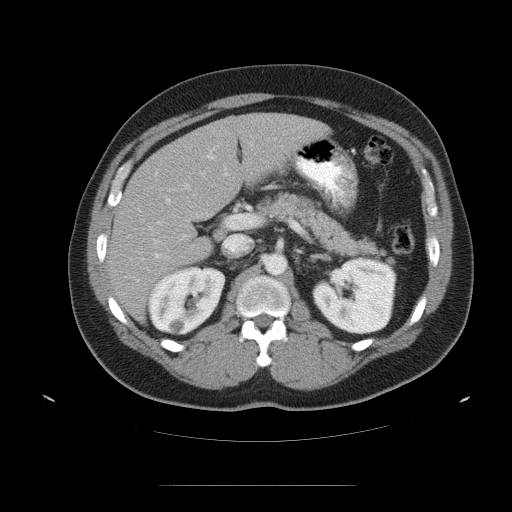
Axial slice 73 of 99 of a contrast-enhanced abdominal CT (slice 1 is the lowest), 120 kVp, kernel STANDARD; 5.00 mm slice thickness and 0.938 mm pixels.
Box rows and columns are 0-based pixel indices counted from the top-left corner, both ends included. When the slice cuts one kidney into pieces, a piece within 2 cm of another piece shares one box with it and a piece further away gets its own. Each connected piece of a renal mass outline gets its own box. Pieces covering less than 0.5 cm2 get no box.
Two kidney boxes on this slice; by box centre, from the image's left to its right: (1) Box rows 266–335, columns 148–225: right kidney (outlined area 4,100 px, about 36.0 cm2). (2) Left kidney, box rows 258–333, columns 312–396 (outlined area 4,955 px, about 43.5 cm2). This slice carries no renal mass outline.